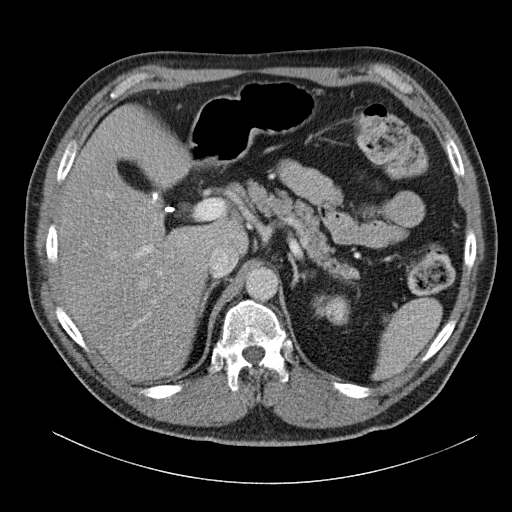
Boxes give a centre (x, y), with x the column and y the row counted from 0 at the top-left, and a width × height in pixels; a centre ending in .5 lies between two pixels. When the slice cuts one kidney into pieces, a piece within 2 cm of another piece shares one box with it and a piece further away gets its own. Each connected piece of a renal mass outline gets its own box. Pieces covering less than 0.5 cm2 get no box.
This is axial slice 86 of 140 (slice 1 is the lowest) of an arterial-phase abdominal CT with contrast; each pixel is 0.754 mm and the slice is 5.00 mm thick. Left kidney in a box with centre (331, 310), 39 × 31 pixels (outlined area 892 px, about 5.1 cm2). This slice carries no renal mass outline.
Scan settings: 120 kVp, B31f reconstruction kernel.